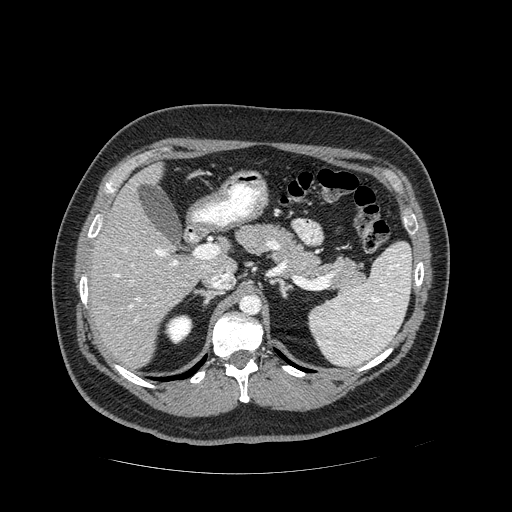
Abdominal CT with intravenous contrast, arterial phase, axial plane, 120 kVp, kernel STANDARD. Slice 292/389 from the bottom of the scan; thickness 1.25 mm; pixel size 0.869 mm.
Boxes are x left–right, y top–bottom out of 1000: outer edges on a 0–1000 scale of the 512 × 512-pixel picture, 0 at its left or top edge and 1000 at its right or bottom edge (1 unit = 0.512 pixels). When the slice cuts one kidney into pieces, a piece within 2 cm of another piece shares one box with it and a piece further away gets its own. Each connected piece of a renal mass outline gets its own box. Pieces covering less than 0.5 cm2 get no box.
Box x 322–377, y 613–670 out of 1000: right kidney (outlined area 602 px, about 4.5 cm2). No renal mass is outlined on this slice.